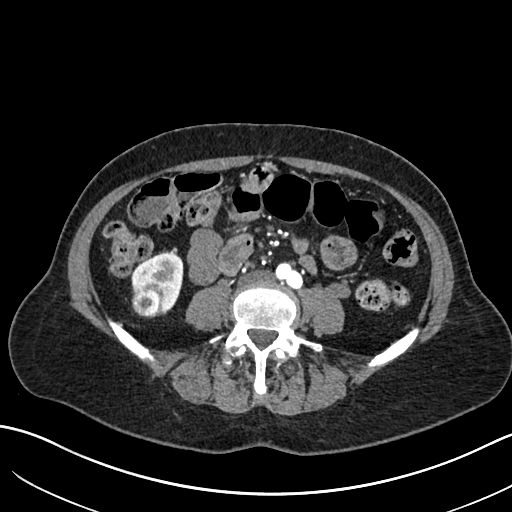
Axial slice 265 of 683 of a contrast-enhanced abdominal CT in the arterial phase (slice 1 is the lowest), 120 kVp, kernel I30f; 1.00 mm slice thickness and 0.738 mm pixels.
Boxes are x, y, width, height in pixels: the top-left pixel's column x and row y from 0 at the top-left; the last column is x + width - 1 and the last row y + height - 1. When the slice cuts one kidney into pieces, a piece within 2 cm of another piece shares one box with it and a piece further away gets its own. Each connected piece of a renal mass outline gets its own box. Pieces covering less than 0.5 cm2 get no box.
Two boxes on this slice (one kidney box and one renal mass box), listed by box centre from the image's left to its right. (1) Right renal mass at x 131, y 284, width 33, height 34 (outlined area 927 px, about 5.1 cm2). (2) Right kidney at x 131, y 252, width 53, height 63 (outlined area 1,841 px, about 10.0 cm2).